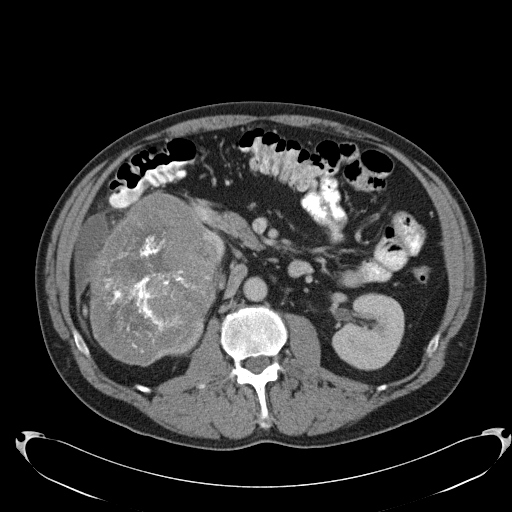
Abdominal CT with intravenous contrast, axial plane, 120 kVp, kernel B31f. Slice 63/103 from the bottom of the scan; thickness 5.00 mm; pixel size 0.801 mm.
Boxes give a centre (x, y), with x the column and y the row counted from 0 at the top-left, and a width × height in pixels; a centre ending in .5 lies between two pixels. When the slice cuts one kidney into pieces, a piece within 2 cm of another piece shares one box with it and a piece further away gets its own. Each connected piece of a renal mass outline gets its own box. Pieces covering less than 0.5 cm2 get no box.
Four boxes on this slice (three kidney boxes and one renal mass box), listed by box centre from the image's left to its right. (1) Right renal mass, box centre (155, 278.5), 137 × 176 pixels (outlined area 17,012 px, about 109.1 cm2). (2) Right kidney (one of two boxed parts) in a box with centre (181.5, 339), 48 × 41 pixels (outlined area 466 px, about 3.0 cm2). (3) Right kidney (one of two boxed parts) in a box with centre (214.5, 241.5), 22 × 42 pixels (outlined area 335 px, about 2.1 cm2). (4) Left kidney in a box with centre (367.5, 331.5), 74 × 78 pixels (outlined area 4,318 px, about 27.7 cm2).